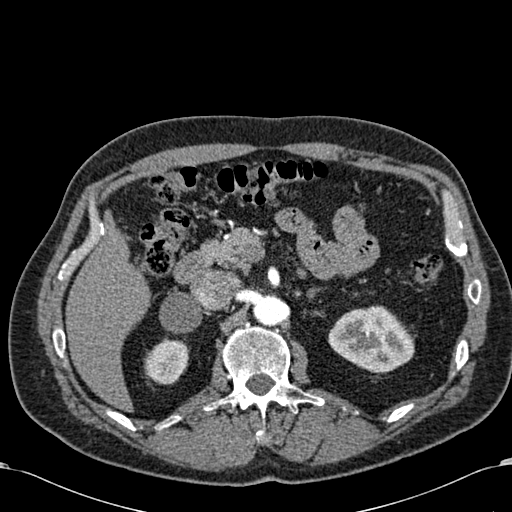
Abdominal CT with intravenous contrast, arterial phase, axial plane, 120 kVp, kernel B30f. Slice 407/581 from the bottom of the scan; thickness 1.00 mm; pixel size 0.713 mm.
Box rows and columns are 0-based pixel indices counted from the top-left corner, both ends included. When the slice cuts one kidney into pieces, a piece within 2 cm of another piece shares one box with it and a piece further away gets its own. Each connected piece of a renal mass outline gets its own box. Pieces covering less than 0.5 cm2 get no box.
Two kidney boxes on this slice; by box centre, from the image's left to its right: (1) Box rows 339–384, columns 143–189: right kidney (outlined area 1,615 px, about 8.2 cm2). (2) Left kidney, box rows 305–373, columns 328–414 (outlined area 4,259 px, about 21.6 cm2). No renal mass outline on this slice.